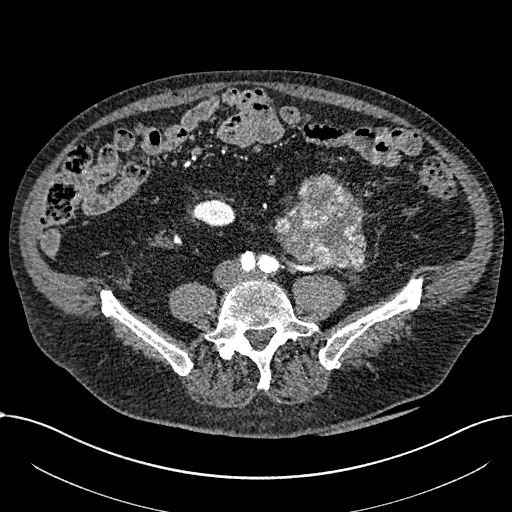
One axial slice (205 of 1059, counting up from the lowest) of an arterial-phase abdominal CT acquired with 100 kVp, kernel I30f; each pixel is 0.811 mm and the slice is 1.00 mm thick.
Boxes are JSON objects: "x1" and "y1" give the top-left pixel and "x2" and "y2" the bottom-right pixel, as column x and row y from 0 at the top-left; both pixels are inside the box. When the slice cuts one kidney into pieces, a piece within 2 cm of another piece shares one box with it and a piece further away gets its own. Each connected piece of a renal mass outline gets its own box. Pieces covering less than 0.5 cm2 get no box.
One kidney box and one renal mass box on this slice; by box centre, from the image's left to its right: (1) Right part of the midline-crossing kidney at {"x1": 192, "y1": 199, "x2": 235, "y2": 227} (outlined area 918 px, about 6.0 cm2). (2) Renal mass at {"x1": 275, "y1": 173, "x2": 366, "y2": 271} (outlined area 6,495 px, about 42.7 cm2); here it is more than 1 cm from any kidney outline, though on another slice the same outlined renal mass lies within 1 cm of the kidney.